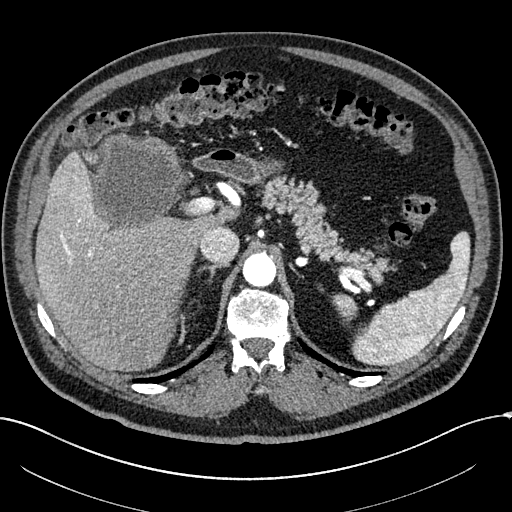
Abdominal CT with intravenous contrast, arterial phase, axial plane, 100 kVp, kernel I30f. Slice 181/304 from the bottom of the scan; thickness 2.00 mm; pixel size 0.809 mm.
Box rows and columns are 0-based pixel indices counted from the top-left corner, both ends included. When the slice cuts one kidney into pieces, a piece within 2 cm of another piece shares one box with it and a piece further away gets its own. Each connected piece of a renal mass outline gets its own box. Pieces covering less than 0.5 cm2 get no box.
Right renal mass, box rows 132–234, columns 89–182 (outlined area 7,714 px, about 50.4 cm2); this slice has no kidney outline, though on another slice the same outlined renal mass lies within 1 cm of the kidney.